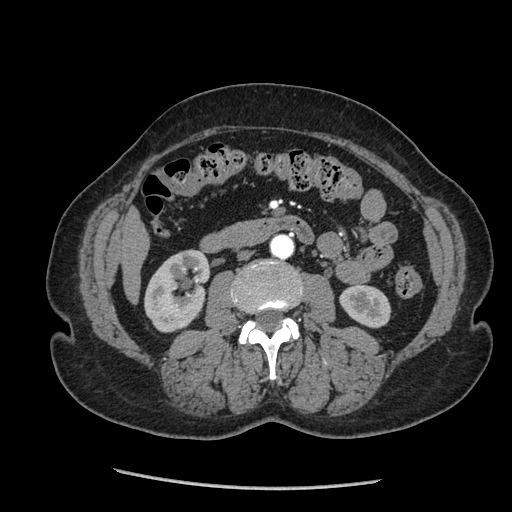
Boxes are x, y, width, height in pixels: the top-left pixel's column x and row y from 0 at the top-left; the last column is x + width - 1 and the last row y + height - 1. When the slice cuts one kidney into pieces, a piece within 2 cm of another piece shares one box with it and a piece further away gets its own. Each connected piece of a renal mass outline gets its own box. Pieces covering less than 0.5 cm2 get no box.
Arterial-phase contrast-enhanced abdominal CT, axial slice 104 of 233 (counted from the lowest slice); 1.25 mm thick, 0.703 mm per pixel. Two kidney boxes on this slice; by box centre, from the image's left to its right: (1) Right kidney at x 144, y 249, width 68, height 84 (outlined area 4,094 px, about 20.2 cm2). (2) Box x 339, y 284, width 53, height 45: left kidney (outlined area 1,738 px, about 8.6 cm2). No renal mass outline on this slice.
Tube voltage 120 kVp; convolution kernel STANDARD.